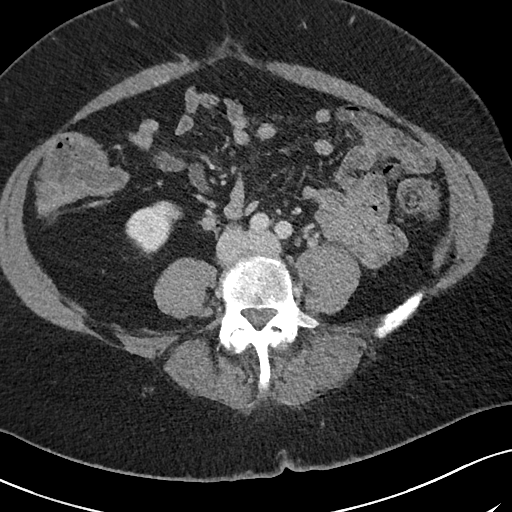
Abdominal CT with intravenous contrast, arterial phase, axial plane, 120 kVp, kernel I40f. Slice 21/69 from the bottom of the scan; thickness 3.00 mm; pixel size 0.664 mm.
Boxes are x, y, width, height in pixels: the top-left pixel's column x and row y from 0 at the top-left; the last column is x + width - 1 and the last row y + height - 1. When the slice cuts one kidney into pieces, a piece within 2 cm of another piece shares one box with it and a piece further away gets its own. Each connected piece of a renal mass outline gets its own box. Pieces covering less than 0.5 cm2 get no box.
Right kidney, box x 125, y 200, width 58, height 59 (outlined area 2,020 px, about 8.9 cm2). This slice carries no renal mass outline.